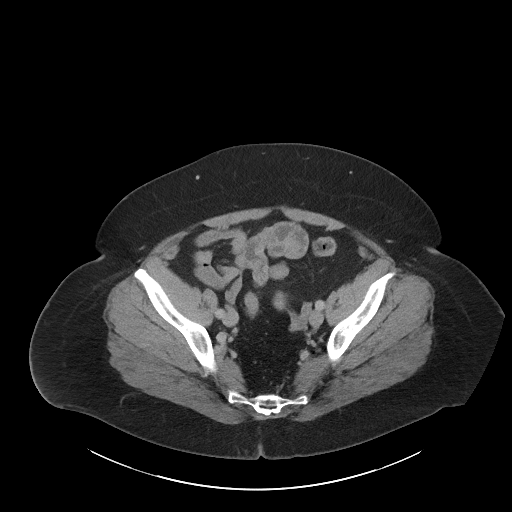
This is axial slice 21 of 86 (slice 1 is the lowest) of an arterial-phase abdominal CT with contrast; each pixel is 0.977 mm and the slice is 5.00 mm thick. Neither a kidney nor a renal mass is outlined here. Only kidneys and renal masses are outlined anywhere in this scan; other structures are never outlined.
Tube voltage 120 kVp; convolution kernel I40f.